One axial slice (419 of 626, counting up from the lowest) of an arterial-phase abdominal CT acquired with 120 kVp, kernel I30f; each pixel is 0.703 mm and the slice is 1.00 mm thick.
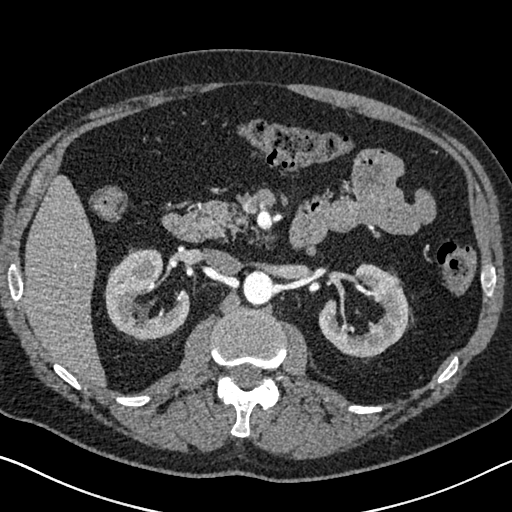
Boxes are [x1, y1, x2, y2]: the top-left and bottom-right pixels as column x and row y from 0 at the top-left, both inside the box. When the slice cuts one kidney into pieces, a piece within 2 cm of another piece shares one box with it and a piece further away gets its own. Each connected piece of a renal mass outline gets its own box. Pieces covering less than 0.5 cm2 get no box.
Two boxes on this slice (two kidney boxes), listed by box centre from the image's left to its right. (1) Right kidney at [104, 248, 189, 340] (outlined area 5,023 px, about 24.8 cm2). (2) Left kidney at [318, 263, 408, 357] (outlined area 4,918 px, about 24.3 cm2). No renal mass is outlined on this slice.